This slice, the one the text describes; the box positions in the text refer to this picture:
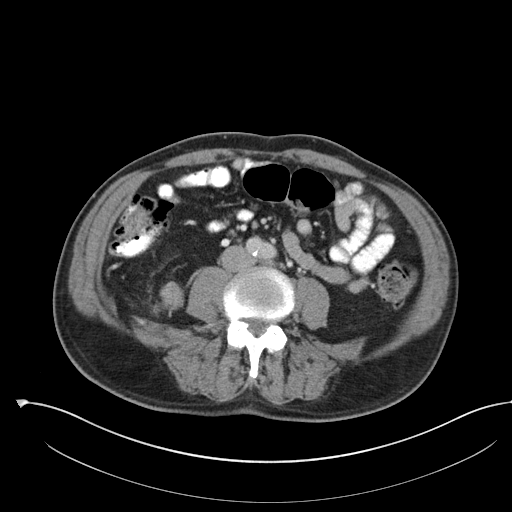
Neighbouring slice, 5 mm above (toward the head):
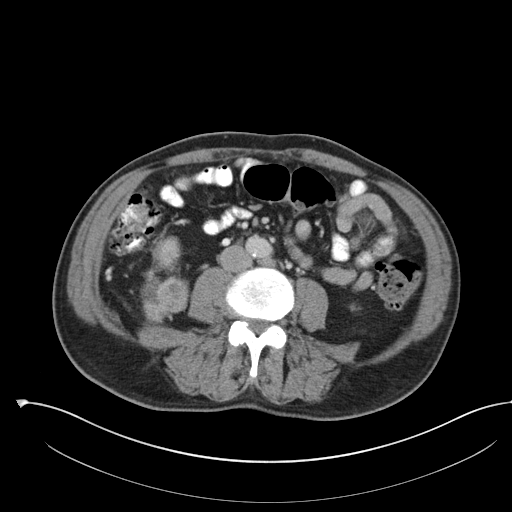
Axial slice 53 of 142 of a contrast-enhanced abdominal CT (slice 1 is the lowest), 100 kVp, kernel I30f; 5.00 mm slice thickness and 0.855 mm pixels.
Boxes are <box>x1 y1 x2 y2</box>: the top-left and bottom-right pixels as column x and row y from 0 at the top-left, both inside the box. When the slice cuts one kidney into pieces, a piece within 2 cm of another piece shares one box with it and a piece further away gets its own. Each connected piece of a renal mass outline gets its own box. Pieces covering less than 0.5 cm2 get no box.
At <box>151 281 184 315</box>: right renal mass (outlined area 703 px, about 5.1 cm2); this slice has no kidney outline, though on another slice the same outlined renal mass lies within 1 cm of the kidney. This slice lies near the end of the right renal mass toward the feet; the slice 5 mm above it is shown too, and the boxes mark positions on this slice only.